One axial slice (367 of 719, counting up from the lowest) of an arterial-phase abdominal CT acquired with 120 kVp, kernel B20f; each pixel is 0.766 mm and the slice is 1.00 mm thick.
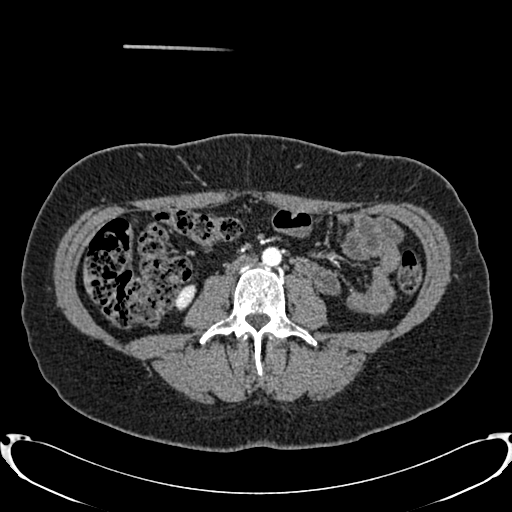
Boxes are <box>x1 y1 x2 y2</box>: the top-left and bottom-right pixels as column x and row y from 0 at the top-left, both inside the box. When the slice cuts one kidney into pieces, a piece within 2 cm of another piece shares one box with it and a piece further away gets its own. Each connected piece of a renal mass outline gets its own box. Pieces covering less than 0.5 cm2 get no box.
Right kidney: <box>177 285 195 309</box> (outlined area 312 px, about 1.8 cm2). No renal mass outline on this slice.